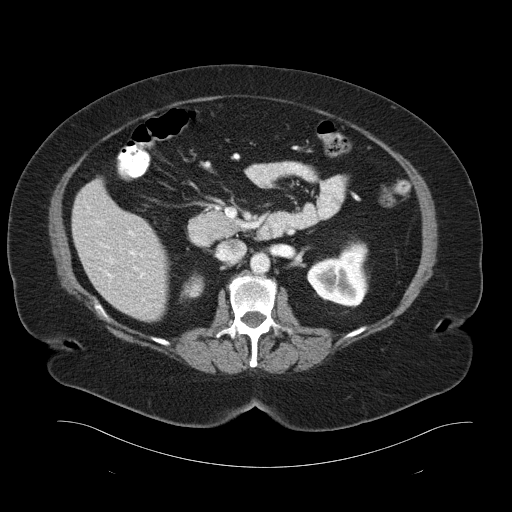
Abdominal CT with intravenous contrast, axial plane, 120 kVp, kernel B30f. Slice 60/93 from the bottom of the scan; thickness 5.00 mm; pixel size 0.938 mm.
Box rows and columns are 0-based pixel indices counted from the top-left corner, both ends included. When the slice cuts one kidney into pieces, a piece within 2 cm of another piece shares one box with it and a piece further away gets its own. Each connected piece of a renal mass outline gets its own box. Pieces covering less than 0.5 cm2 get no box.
Boxed on this slice (two kidney boxes), listed by box centre from the image's left to its right: (1) Box rows 272–299, columns 180–204: right kidney (outlined area 464 px, about 4.1 cm2). (2) Left kidney at rows 242–307, columns 306–369 (outlined area 2,873 px, about 25.3 cm2). This slice carries no renal mass outline.